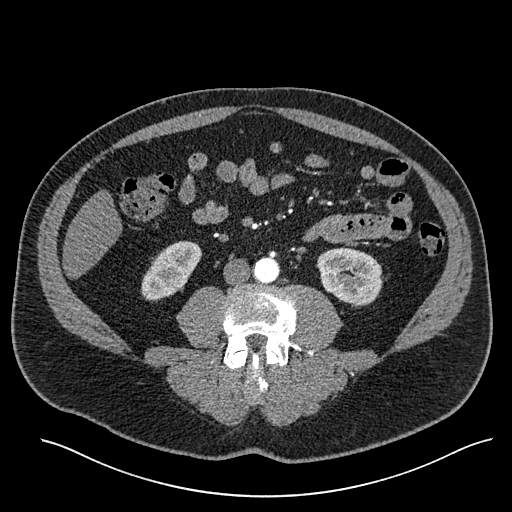
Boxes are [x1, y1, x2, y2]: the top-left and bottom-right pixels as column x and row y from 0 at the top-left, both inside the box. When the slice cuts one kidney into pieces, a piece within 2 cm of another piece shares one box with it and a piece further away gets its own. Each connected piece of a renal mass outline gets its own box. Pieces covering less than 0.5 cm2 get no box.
Arterial-phase contrast-enhanced abdominal CT, axial slice 219 of 527 (counted from the lowest slice); 1.00 mm thick, 0.859 mm per pixel. Boxed on this slice (two kidney boxes), listed by box centre from the image's left to its right: (1) Box [141, 241, 202, 301]: right kidney (outlined area 2,336 px, about 17.3 cm2). (2) Box [316, 247, 382, 307]: left kidney (outlined area 3,025 px, about 22.3 cm2). This slice carries no renal mass outline.
Tube voltage 120 kVp; convolution kernel I30f.